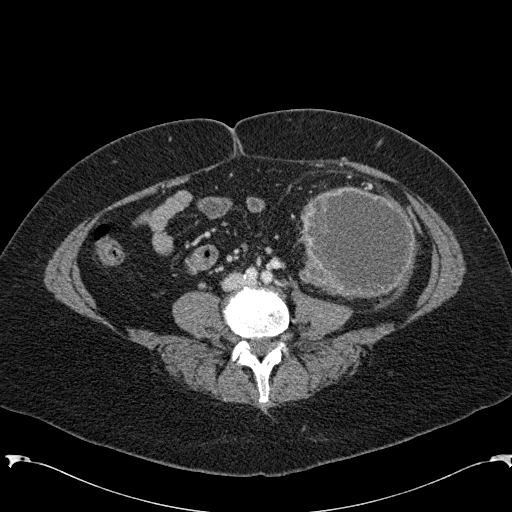
Abdominal CT with intravenous contrast, arterial phase, axial plane, 120 kVp, kernel B31f. Slice 40/285 from the bottom of the scan; thickness 2.00 mm; pixel size 0.762 mm.
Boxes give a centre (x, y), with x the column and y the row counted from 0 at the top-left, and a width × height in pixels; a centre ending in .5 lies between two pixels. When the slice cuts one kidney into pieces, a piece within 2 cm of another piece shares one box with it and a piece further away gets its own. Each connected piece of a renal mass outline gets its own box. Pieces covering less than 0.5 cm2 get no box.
Box centre (356.5, 242), 120 × 115 pixels: left renal mass (outlined area 10,750 px, about 62.4 cm2); no kidney outline appears on this slice, but the same outlined renal mass comes within 1 cm of the kidney on another slice.